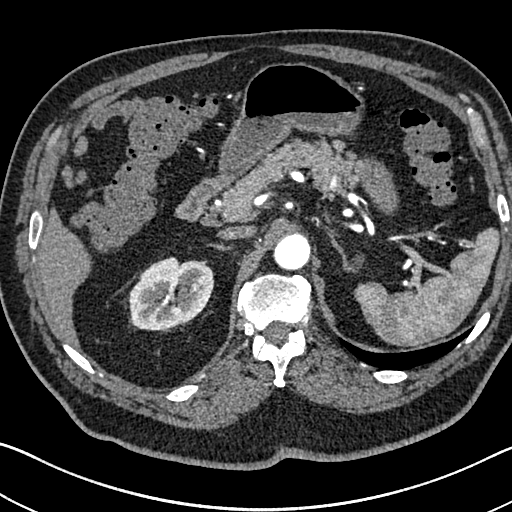
One axial slice (515 of 705, counting up from the lowest) of an arterial-phase abdominal CT acquired with 120 kVp, kernel I30f; each pixel is 0.703 mm and the slice is 1.00 mm thick.
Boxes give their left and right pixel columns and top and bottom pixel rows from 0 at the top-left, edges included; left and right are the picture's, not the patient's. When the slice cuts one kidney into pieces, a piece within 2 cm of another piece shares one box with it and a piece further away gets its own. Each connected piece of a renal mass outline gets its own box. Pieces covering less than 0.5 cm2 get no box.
Box with left 128, top 257, right 214, bottom 330: right kidney (outlined area 4,806 px, about 23.8 cm2). No renal mass is outlined on this slice.